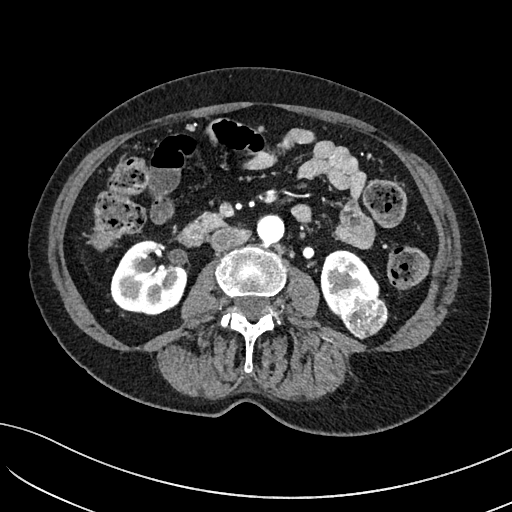
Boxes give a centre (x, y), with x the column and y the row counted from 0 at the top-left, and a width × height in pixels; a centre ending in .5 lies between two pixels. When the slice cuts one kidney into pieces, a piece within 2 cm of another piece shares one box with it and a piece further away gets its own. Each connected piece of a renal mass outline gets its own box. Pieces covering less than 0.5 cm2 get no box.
Slice 39/234 of a contrast-enhanced abdominal CT in the arterial phase, counting up from the lowest; pixel size 0.699 mm, slice thickness 2.00 mm. Boxed on this slice (two kidney boxes and one renal mass box), listed by box centre from the image's left to its right: (1) Right kidney in a box with centre (148.5, 277.5), 78 × 76 pixels (outlined area 4,234 px, about 20.7 cm2). (2) Left kidney, box centre (349.5, 283.5), 60 × 68 pixels (outlined area 2,186 px, about 10.7 cm2). (3) Box centre (362.5, 314), 52 × 51 pixels: left renal mass (outlined area 1,900 px, about 9.3 cm2).
Acquired at 100 kVp and reconstructed with the I40f kernel.